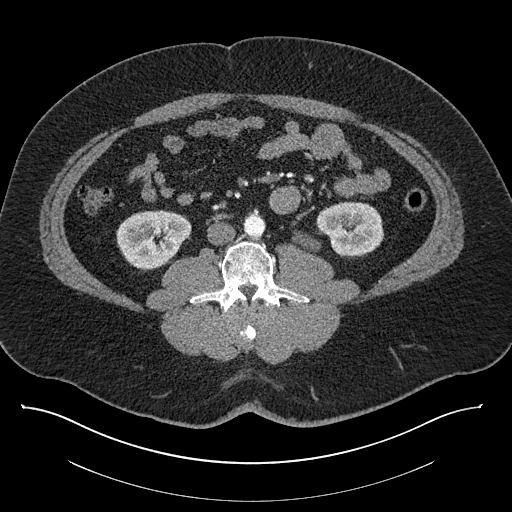
Axial slice 398 of 787 of a contrast-enhanced abdominal CT (slice 1 is the lowest), 140 kVp, kernel I30f; 1.00 mm slice thickness and 0.910 mm pixels.
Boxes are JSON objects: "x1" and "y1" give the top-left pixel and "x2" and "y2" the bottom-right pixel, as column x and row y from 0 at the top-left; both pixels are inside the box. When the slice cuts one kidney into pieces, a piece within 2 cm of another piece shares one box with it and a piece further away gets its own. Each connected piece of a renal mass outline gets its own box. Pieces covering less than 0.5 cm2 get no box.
Two kidney boxes on this slice; by box centre, from the image's left to its right: (1) Box {"x1": 116, "y1": 210, "x2": 191, "y2": 271}: right kidney (outlined area 3,411 px, about 28.3 cm2). (2) Box {"x1": 291, "y1": 201, "x2": 384, "y2": 256}: left kidney (outlined area 3,258 px, about 27.0 cm2). This slice carries no renal mass outline.